One axial slice (356 of 602, counting up from the lowest) of an arterial-phase abdominal CT acquired with 120 kVp, kernel I30f; each pixel is 0.799 mm and the slice is 1.00 mm thick.
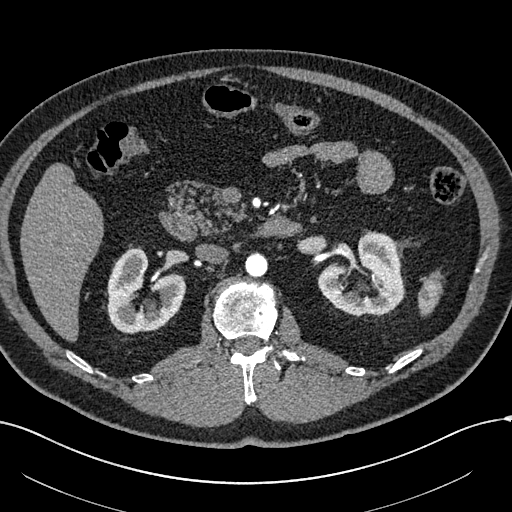
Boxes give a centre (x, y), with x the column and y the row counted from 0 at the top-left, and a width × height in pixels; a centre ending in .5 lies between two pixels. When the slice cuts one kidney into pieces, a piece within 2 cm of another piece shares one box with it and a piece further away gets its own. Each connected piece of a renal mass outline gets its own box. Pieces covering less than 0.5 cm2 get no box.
Two boxes on this slice (two kidney boxes), listed by box centre from the image's left to its right. (1) Right kidney, box centre (146, 290.5), 79 × 86 pixels (outlined area 4,549 px, about 29.0 cm2). (2) Box centre (360.5, 273), 88 × 85 pixels: left kidney (outlined area 4,858 px, about 31.0 cm2). No renal mass outline on this slice.